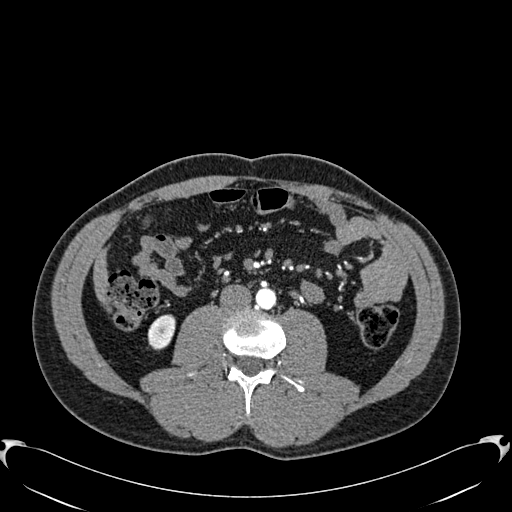
Abdominal CT with intravenous contrast, arterial phase, axial plane, 120 kVp, kernel B30f. Slice 266/512 from the bottom of the scan; thickness 1.00 mm; pixel size 0.771 mm.
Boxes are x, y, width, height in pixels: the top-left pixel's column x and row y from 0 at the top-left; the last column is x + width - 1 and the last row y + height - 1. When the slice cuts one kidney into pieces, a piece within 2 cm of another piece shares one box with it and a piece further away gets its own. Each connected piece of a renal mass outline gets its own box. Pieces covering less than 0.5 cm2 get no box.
Right kidney, box x 147, y 314, width 29, height 37 (outlined area 781 px, about 4.6 cm2). This slice carries no renal mass outline.